Axial slice 312 of 541 of a contrast-enhanced abdominal CT in the arterial phase (slice 1 is the lowest), 120 kVp, kernel I30f; 1.00 mm slice thickness and 0.834 mm pixels.
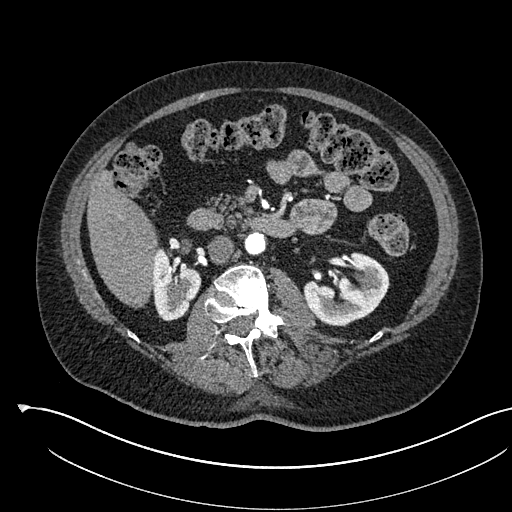
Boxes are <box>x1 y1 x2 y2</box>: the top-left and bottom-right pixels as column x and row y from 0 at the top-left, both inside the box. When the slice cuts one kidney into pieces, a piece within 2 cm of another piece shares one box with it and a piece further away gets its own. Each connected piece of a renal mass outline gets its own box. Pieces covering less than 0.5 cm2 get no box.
Boxed on this slice (two kidney boxes), listed by box centre from the image's left to its right: (1) Right kidney at <box>152 247 201 321</box> (outlined area 2,604 px, about 18.1 cm2). (2) At <box>303 252 389 326</box>: left kidney (outlined area 4,152 px, about 28.9 cm2). This slice carries no renal mass outline.